One axial slice (250 of 548, counting up from the lowest) of an arterial-phase abdominal CT acquired with 120 kVp, kernel I26f; each pixel is 0.852 mm and the slice is 1.00 mm thick.
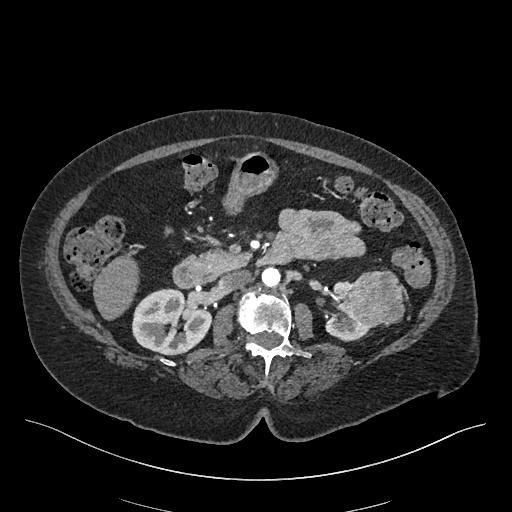
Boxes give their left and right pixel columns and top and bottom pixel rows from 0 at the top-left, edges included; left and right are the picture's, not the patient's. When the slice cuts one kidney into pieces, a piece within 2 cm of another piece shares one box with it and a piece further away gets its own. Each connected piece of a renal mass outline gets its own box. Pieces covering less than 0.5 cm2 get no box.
Three boxes on this slice (two kidney boxes and one renal mass box), listed by box centre from the image's left to its right. (1) Right kidney in the box with left 131, top 288, right 211, bottom 355 (outlined area 4,085 px, about 29.6 cm2). (2) Box with left 325, top 281, right 374, bottom 341: left kidney (outlined area 1,295 px, about 9.4 cm2). (3) Box with left 339, top 270, right 405, bottom 326: left renal mass (outlined area 2,847 px, about 20.6 cm2).